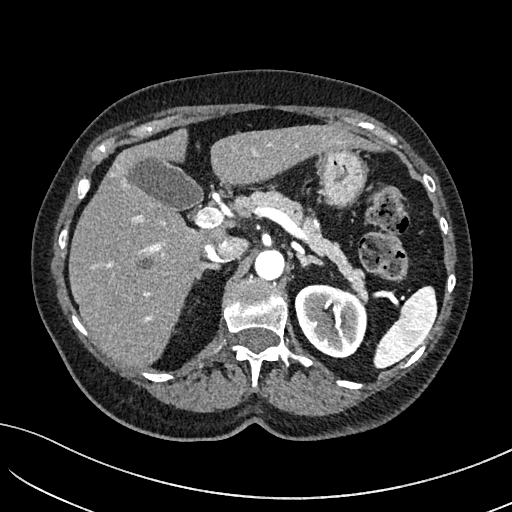
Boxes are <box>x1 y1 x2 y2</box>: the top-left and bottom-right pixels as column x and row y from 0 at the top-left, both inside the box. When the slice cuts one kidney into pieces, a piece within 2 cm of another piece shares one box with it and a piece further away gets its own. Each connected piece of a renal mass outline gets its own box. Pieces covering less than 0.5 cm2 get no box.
Slice 107/234 of a contrast-enhanced abdominal CT in the arterial phase, counting up from the lowest; pixel size 0.699 mm, slice thickness 2.00 mm. At <box>294 284 367 358</box>: left kidney (outlined area 4,139 px, about 20.2 cm2). This slice carries no renal mass outline.
Tube voltage 100 kVp; convolution kernel I40f.